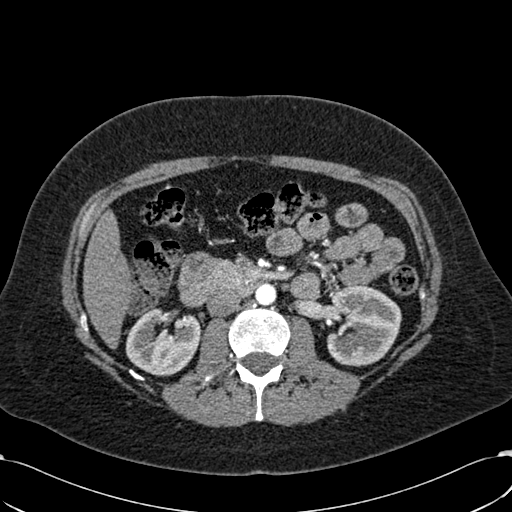
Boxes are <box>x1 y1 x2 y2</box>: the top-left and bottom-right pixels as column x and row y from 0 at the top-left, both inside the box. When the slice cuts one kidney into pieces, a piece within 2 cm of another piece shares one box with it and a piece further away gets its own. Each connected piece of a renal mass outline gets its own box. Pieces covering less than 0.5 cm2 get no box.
Slice 345/532 of a contrast-enhanced abdominal CT in the arterial phase, counting up from the lowest; pixel size 0.713 mm, slice thickness 1.00 mm. Two boxes on this slice (two kidney boxes), listed by box centre from the image's left to its right. (1) Right kidney: <box>125 308 200 376</box> (outlined area 3,832 px, about 19.5 cm2). (2) Left kidney at <box>327 284 401 366</box> (outlined area 4,844 px, about 24.6 cm2). This slice carries no renal mass outline.
Acquired at 120 kVp and reconstructed with the B30f kernel.